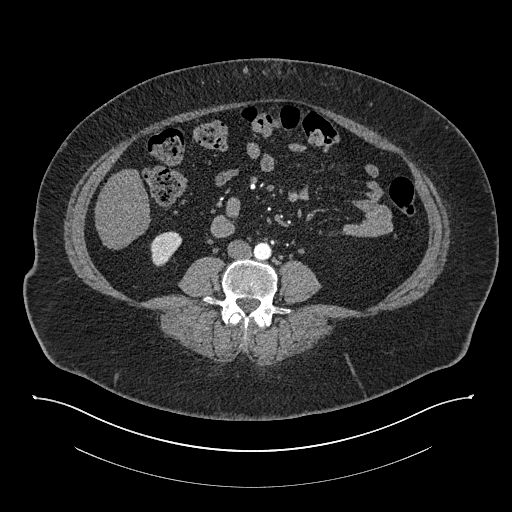
Arterial-phase contrast-enhanced abdominal CT, axial slice 335 of 673 (counted from the lowest slice); tube voltage 140 kVp, convolution kernel I30f; slices 1.00 mm thick, 0.957 mm per pixel.
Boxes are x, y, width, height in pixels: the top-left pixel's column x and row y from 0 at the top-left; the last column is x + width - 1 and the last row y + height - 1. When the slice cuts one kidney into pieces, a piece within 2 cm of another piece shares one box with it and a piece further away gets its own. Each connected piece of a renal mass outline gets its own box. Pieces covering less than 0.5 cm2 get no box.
Right kidney, box x 150, y 231, width 33, height 36 (outlined area 790 px, about 7.2 cm2). This slice carries no renal mass outline.